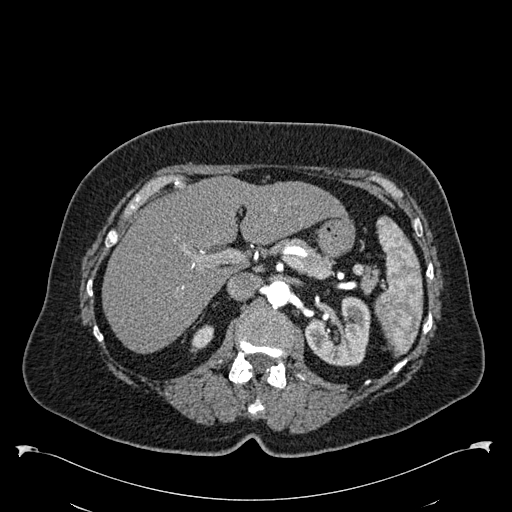
Arterial-phase contrast-enhanced abdominal CT, axial slice 384 of 538 (counted from the lowest slice); tube voltage 120 kVp, convolution kernel B30f; slices 1.00 mm thick, 0.811 mm per pixel.
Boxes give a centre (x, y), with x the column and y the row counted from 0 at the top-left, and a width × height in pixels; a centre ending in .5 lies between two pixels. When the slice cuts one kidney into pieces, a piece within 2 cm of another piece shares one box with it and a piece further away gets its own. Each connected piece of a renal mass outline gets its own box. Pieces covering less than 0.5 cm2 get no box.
Two kidney boxes on this slice; by box centre, from the image's left to its right: (1) Right kidney, box centre (202, 338), 25 × 29 pixels (outlined area 439 px, about 2.9 cm2). (2) Left kidney in a box with centre (337, 331), 67 × 71 pixels (outlined area 3,360 px, about 22.1 cm2). No renal mass outline on this slice.